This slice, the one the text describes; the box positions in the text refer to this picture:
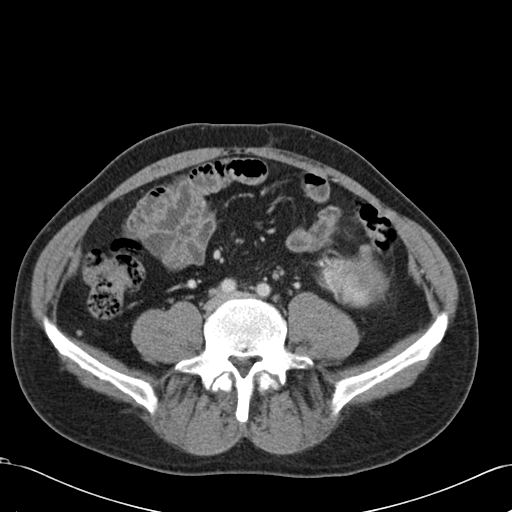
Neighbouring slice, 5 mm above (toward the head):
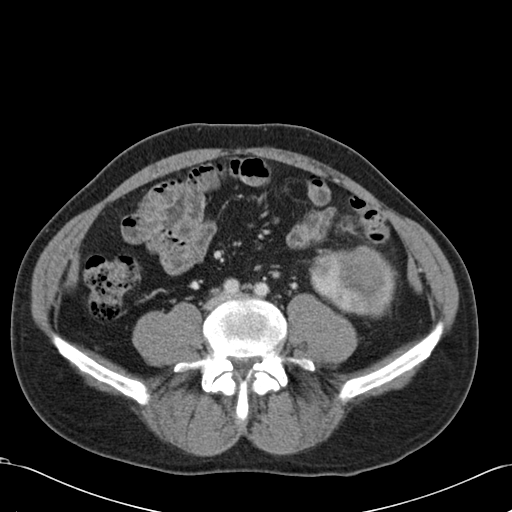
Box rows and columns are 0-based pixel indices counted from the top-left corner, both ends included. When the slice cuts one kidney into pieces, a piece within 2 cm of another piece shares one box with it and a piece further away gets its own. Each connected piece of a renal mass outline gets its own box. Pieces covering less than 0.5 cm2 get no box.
Arterial-phase contrast-enhanced abdominal CT, axial slice 43 of 99 (counted from the lowest slice); 5.00 mm thick, 0.693 mm per pixel. Left renal mass at rows 245–307, columns 319–389 (outlined area 2,934 px, about 14.1 cm2); no kidney is outlined on this slice, but the same outlined renal mass comes within 1 cm of the kidney on another slice. This slice is near the end of the left renal mass toward the feet, so the slice 5 mm above it is shown as well; the boxes refer to this slice only.
Acquired at 120 kVp and reconstructed with the B30f kernel.